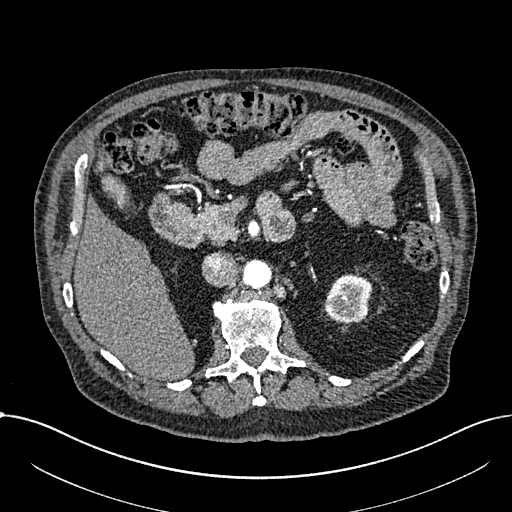
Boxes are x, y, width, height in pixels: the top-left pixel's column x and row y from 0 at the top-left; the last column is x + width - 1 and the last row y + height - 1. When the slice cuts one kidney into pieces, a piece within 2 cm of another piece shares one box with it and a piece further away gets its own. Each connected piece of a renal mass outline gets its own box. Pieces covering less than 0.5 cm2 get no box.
Arterial-phase contrast-enhanced abdominal CT, axial slice 445 of 1059 (counted from the lowest slice); 1.00 mm thick, 0.811 mm per pixel. Box x 324, y 275, width 49, height 50: left part of the midline-crossing kidney (outlined area 1,884 px, about 12.4 cm2). No renal mass is outlined on this slice.
Tube voltage 100 kVp; convolution kernel I30f.